One axial slice (183 of 345, counting up from the lowest) of an arterial-phase abdominal CT acquired with 120 kVp, kernel I31f; each pixel is 0.977 mm and the slice is 2.00 mm thick.
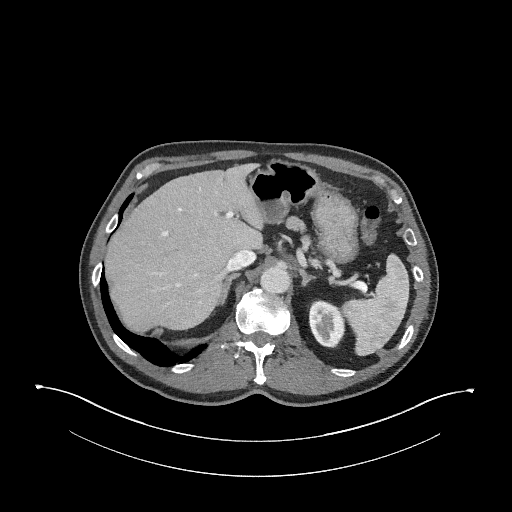
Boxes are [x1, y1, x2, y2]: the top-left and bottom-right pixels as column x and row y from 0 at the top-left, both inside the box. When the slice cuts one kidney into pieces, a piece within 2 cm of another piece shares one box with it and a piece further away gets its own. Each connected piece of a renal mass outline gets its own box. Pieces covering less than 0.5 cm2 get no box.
Box [308, 299, 345, 348]: left kidney (outlined area 1,405 px, about 13.4 cm2). No renal mass is outlined on this slice.